Arterial-phase contrast-enhanced abdominal CT, axial slice 404 of 527 (counted from the lowest slice); tube voltage 120 kVp, convolution kernel I30f; slices 1.00 mm thick, 0.859 mm per pixel.
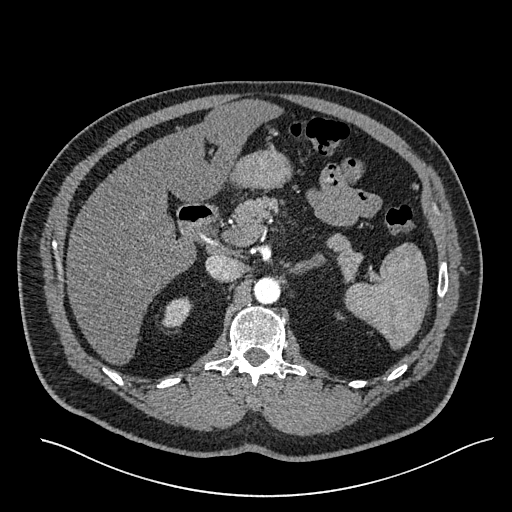
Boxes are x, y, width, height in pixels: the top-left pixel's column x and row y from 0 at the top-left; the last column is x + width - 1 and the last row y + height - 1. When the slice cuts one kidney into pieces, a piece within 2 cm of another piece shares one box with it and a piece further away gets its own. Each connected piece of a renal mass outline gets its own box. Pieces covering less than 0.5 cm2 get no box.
Right kidney, box x 161, y 296, width 33, height 32 (outlined area 678 px, about 5.0 cm2). This slice carries no renal mass outline.